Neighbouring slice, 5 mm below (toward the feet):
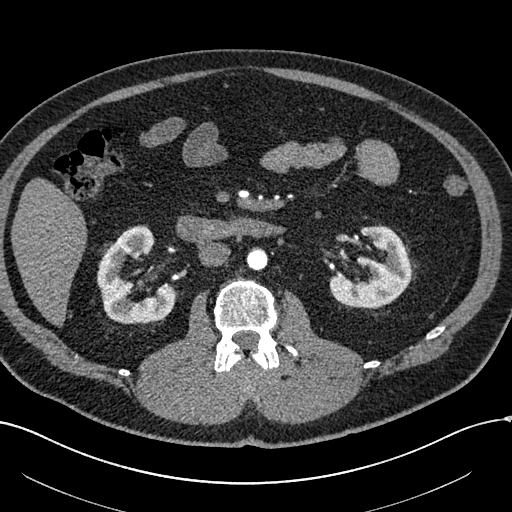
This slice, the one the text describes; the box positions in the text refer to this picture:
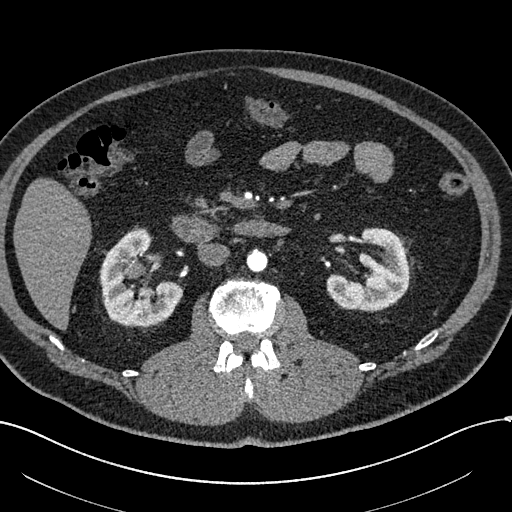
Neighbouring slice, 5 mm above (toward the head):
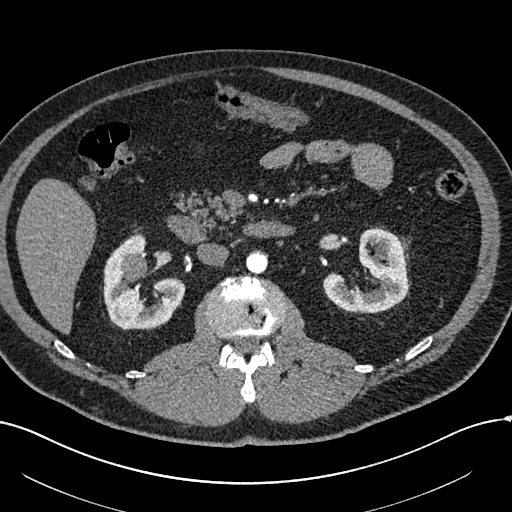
Abdominal CT with intravenous contrast, arterial phase, axial plane, 120 kVp, kernel I30f. Slice 327/602 from the bottom of the scan; thickness 1.00 mm; pixel size 0.799 mm.
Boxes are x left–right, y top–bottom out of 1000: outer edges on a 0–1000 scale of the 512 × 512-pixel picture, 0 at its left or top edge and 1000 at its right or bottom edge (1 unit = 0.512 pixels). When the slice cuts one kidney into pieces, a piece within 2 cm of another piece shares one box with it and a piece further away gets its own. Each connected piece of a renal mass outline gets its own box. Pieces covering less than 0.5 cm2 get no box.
Two kidney boxes and one renal mass box on this slice; by box centre, from the image's left to its right: (1) Box x 252–285, y 512–543 out of 1000: right renal mass (outlined area 210 px, about 1.3 cm2). (2) Right kidney, box x 195–359, y 445–641 out of 1000 (outlined area 5,140 px, about 32.8 cm2). (3) Left kidney at x 637–801, y 443–611 out of 1000 (outlined area 4,446 px, about 28.4 cm2). This slice is near the end of the right renal mass toward the feet, so the slices 5 mm below and 5 mm above it are shown as well; the boxes refer to this slice only.